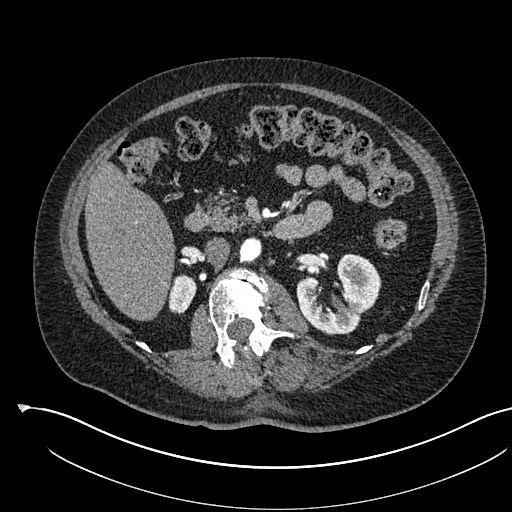
One axial slice (334 of 541, counting up from the lowest) of an arterial-phase abdominal CT acquired with 120 kVp, kernel I30f; each pixel is 0.834 mm and the slice is 1.00 mm thick.
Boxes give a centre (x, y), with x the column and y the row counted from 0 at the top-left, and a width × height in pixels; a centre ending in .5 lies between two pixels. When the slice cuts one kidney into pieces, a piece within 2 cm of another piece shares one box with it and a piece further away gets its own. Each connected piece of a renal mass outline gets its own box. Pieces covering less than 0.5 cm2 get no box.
Boxed on this slice (two kidney boxes), listed by box centre from the image's left to its right: (1) Right kidney, box centre (182, 294), 29 × 41 pixels (outlined area 868 px, about 6.0 cm2). (2) Left kidney in a box with centre (338.5, 293.5), 86 × 82 pixels (outlined area 4,353 px, about 30.3 cm2). No renal mass outline on this slice.